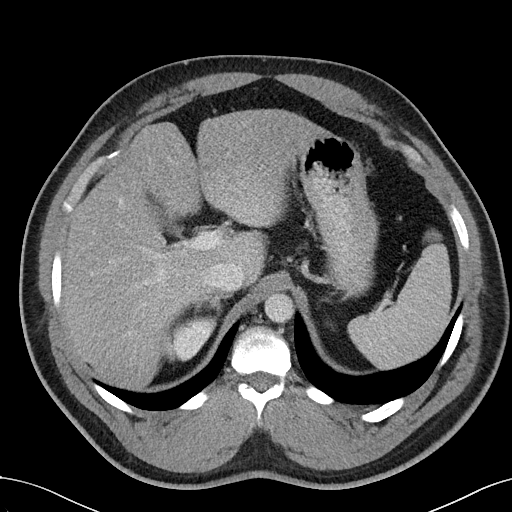
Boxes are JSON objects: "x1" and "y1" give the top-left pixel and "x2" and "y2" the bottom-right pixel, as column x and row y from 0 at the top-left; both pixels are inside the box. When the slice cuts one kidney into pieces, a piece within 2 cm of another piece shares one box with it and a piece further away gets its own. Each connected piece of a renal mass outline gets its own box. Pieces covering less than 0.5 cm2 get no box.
This is axial slice 79 of 102 (slice 1 is the lowest) of an arterial-phase abdominal CT with contrast; each pixel is 0.781 mm and the slice is 5.00 mm thick. Right kidney at {"x1": 174, "y1": 315, "x2": 217, "y2": 361} (outlined area 1,393 px, about 8.5 cm2). No renal mass outline on this slice.
Tube voltage 100 kVp; convolution kernel I40f.